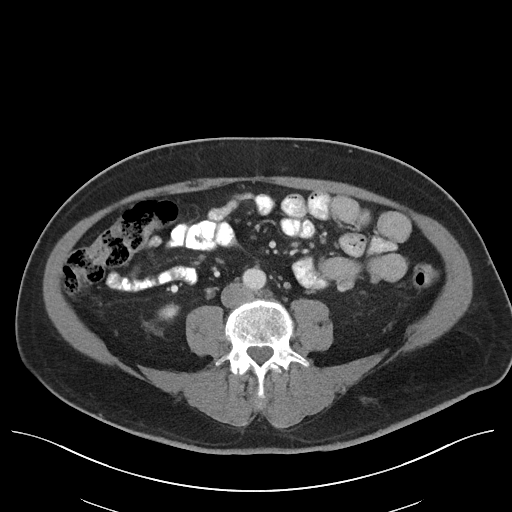
Axial slice 50 of 96 of a contrast-enhanced abdominal CT in the arterial phase (slice 1 is the lowest), 120 kVp, kernel I40f; 5.00 mm slice thickness and 0.840 mm pixels.
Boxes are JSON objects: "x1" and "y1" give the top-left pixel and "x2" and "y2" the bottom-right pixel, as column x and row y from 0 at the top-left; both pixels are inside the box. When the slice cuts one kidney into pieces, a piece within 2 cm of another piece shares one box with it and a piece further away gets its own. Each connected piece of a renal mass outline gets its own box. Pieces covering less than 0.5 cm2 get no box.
Right kidney, box {"x1": 160, "y1": 305, "x2": 177, "y2": 318} (outlined area 196 px, about 1.4 cm2). No renal mass outline on this slice.